Arterial-phase contrast-enhanced abdominal CT, axial slice 463 of 683 (counted from the lowest slice); tube voltage 120 kVp, convolution kernel I30f; slices 1.00 mm thick, 0.738 mm per pixel.
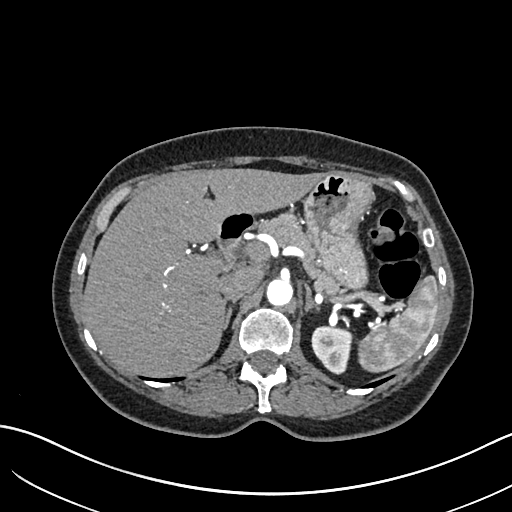
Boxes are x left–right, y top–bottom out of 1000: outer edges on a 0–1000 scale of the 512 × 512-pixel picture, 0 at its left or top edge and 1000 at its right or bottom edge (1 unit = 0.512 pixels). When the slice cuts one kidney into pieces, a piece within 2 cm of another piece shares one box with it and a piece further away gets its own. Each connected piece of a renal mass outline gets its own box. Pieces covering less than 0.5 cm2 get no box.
Left kidney, box x 607–691, y 637–732 out of 1000 (outlined area 1,562 px, about 8.5 cm2). No renal mass is outlined on this slice.